Contrast-enhanced abdominal CT, axial slice 19 of 43 (counted from the lowest slice); tube voltage 120 kVp, convolution kernel B31f; slices 5.00 mm thick, 0.701 mm per pixel.
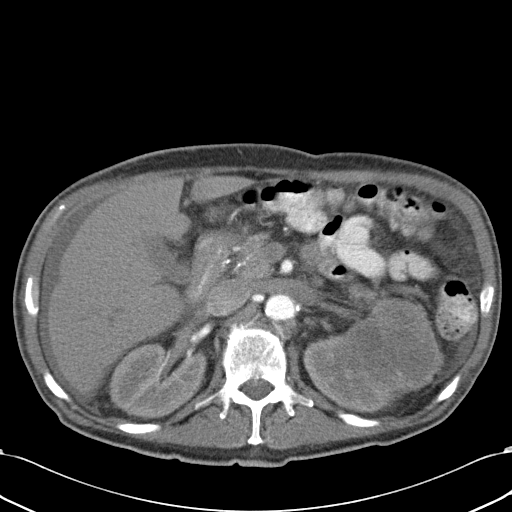
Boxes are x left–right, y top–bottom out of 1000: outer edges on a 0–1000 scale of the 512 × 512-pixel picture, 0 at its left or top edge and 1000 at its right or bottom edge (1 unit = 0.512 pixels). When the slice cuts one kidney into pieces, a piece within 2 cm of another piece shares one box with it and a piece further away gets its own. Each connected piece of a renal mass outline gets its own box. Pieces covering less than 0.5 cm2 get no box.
Three boxes on this slice (two kidney boxes and one renal mass box), listed by box centre from the image's left to its right. (1) Box x 213–404, y 668–820 out of 1000: right kidney (outlined area 5,631 px, about 27.7 cm2). (2) Left kidney at x 592–771, y 629–809 out of 1000 (outlined area 4,008 px, about 19.7 cm2). (3) Box x 695–869, y 582–783 out of 1000: left renal mass (outlined area 6,727 px, about 33.1 cm2).